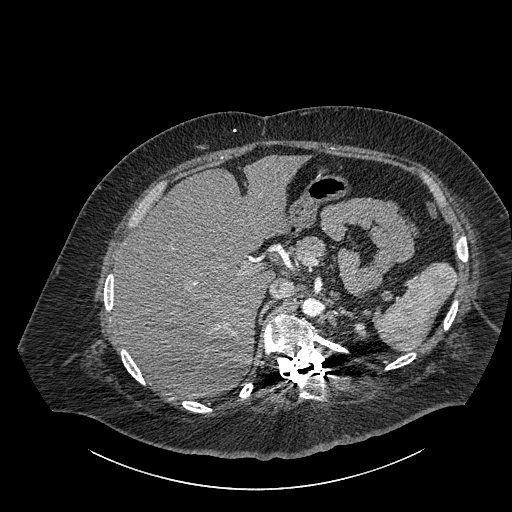
Abdominal CT with intravenous contrast, axial plane, 140 kVp, kernel I30f. Slice 652/834 from the bottom of the scan; thickness 1.00 mm; pixel size 0.977 mm.
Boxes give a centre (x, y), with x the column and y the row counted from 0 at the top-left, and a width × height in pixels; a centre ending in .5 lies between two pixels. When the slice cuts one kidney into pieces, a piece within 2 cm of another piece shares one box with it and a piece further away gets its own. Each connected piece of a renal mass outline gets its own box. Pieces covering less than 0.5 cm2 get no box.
Box centre (360, 330), 15 × 15 pixels: left part of the midline-crossing kidney (outlined area 163 px, about 1.6 cm2). No renal mass is outlined on this slice.